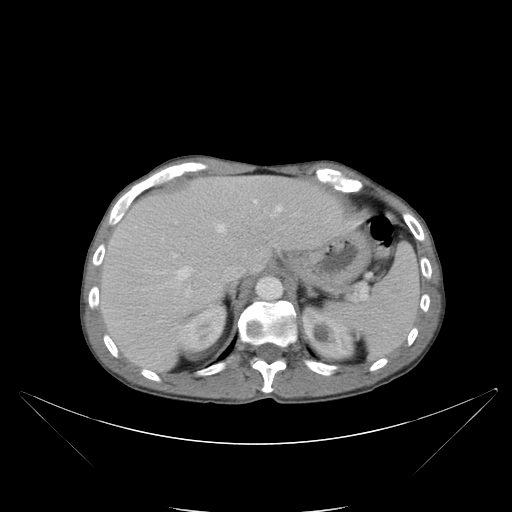
Axial slice 72 of 88 of a contrast-enhanced abdominal CT (slice 1 is the lowest), 120 kVp, kernel B; 5.00 mm slice thickness and 0.865 mm pixels.
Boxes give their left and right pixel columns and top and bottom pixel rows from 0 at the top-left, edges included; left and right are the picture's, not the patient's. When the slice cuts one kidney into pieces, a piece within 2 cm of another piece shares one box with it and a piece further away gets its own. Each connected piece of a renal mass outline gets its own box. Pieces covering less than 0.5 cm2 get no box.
Two boxes on this slice (two kidney boxes), listed by box centre from the image's left to its right. (1) Right kidney, the box with left 178, top 305, right 227, bottom 354 (outlined area 1,791 px, about 13.4 cm2). (2) Left kidney, the box with left 301, top 306, right 355, bottom 363 (outlined area 2,127 px, about 15.9 cm2). No renal mass is outlined on this slice.